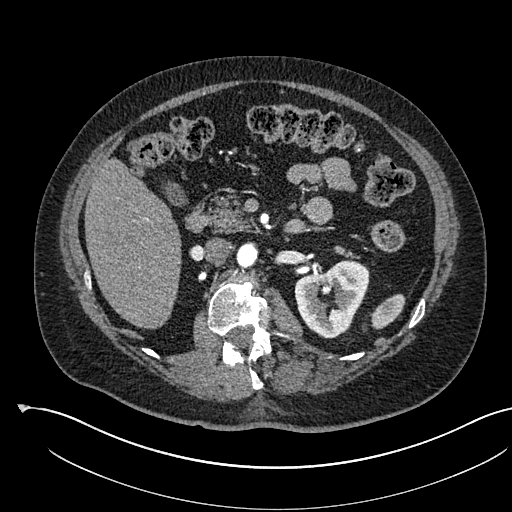
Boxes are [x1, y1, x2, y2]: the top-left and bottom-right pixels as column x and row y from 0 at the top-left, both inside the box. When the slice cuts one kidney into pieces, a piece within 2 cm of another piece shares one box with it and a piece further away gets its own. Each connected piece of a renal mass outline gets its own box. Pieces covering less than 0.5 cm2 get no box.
Slice 348/541 of a contrast-enhanced abdominal CT in the arterial phase, counting up from the lowest; pixel size 0.834 mm, slice thickness 1.00 mm. Box [294, 259, 369, 338]: left kidney (outlined area 4,025 px, about 28.0 cm2). No renal mass is outlined on this slice.
Acquired at 120 kVp and reconstructed with the I30f kernel.